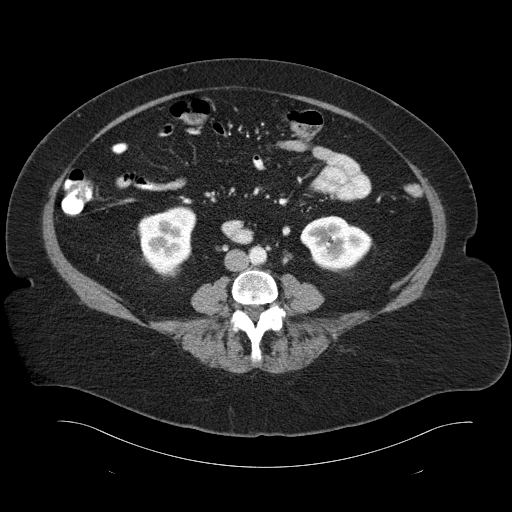
Axial slice 47 of 93 of a contrast-enhanced abdominal CT (slice 1 is the lowest), 120 kVp, kernel B30f; 5.00 mm slice thickness and 0.938 mm pixels.
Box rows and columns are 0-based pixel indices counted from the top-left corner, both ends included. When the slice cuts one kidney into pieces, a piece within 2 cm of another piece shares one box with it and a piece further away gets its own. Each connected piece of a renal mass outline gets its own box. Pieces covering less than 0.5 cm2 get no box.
Two kidney boxes on this slice; by box centre, from the image's left to its right: (1) Right kidney, box rows 205–279, columns 137–196 (outlined area 3,172 px, about 27.9 cm2). (2) Left kidney, box rows 215–274, columns 300–373 (outlined area 2,942 px, about 25.9 cm2). No renal mass is outlined on this slice.